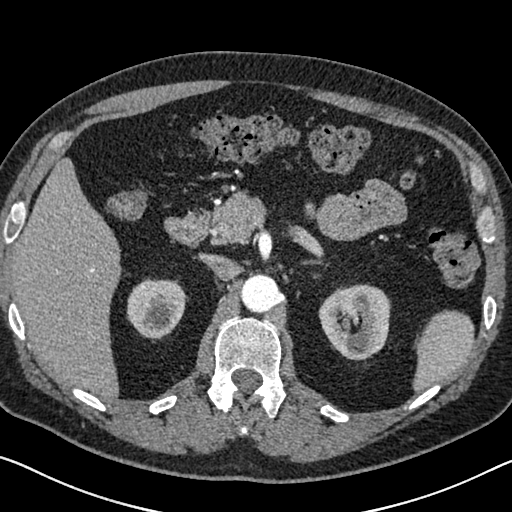
Axial slice 460 of 626 of a contrast-enhanced abdominal CT in the arterial phase (slice 1 is the lowest), 120 kVp, kernel I30f; 1.00 mm slice thickness and 0.703 mm pixels.
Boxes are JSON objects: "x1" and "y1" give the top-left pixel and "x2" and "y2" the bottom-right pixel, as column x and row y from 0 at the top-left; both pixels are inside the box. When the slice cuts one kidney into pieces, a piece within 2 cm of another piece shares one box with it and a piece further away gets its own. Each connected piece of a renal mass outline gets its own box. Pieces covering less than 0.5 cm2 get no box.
Boxed on this slice (two kidney boxes), listed by box centre from the image's left to its right: (1) Right kidney, box {"x1": 127, "y1": 278, "x2": 184, "y2": 339} (outlined area 2,820 px, about 13.9 cm2). (2) Box {"x1": 318, "y1": 284, "x2": 390, "y2": 360}: left kidney (outlined area 4,241 px, about 21.0 cm2). No renal mass is outlined on this slice.